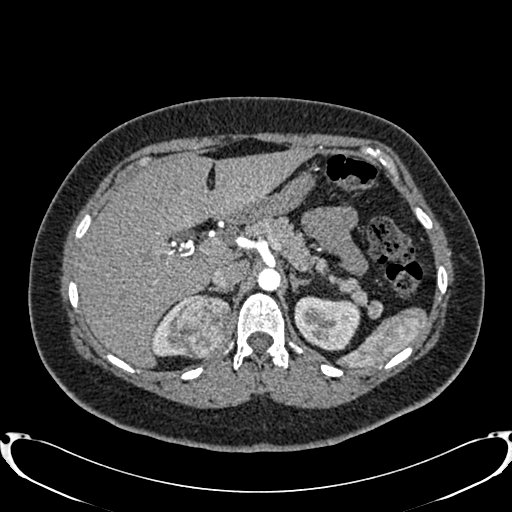
Axial slice 572 of 719 of a contrast-enhanced abdominal CT in the arterial phase (slice 1 is the lowest), 120 kVp, kernel B20f; 1.00 mm slice thickness and 0.766 mm pixels.
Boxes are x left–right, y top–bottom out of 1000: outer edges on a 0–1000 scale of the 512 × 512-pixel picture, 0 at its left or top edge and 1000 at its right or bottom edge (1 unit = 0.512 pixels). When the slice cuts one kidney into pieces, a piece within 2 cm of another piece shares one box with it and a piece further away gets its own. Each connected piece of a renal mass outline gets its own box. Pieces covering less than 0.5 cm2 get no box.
Two kidney boxes and one renal mass box on this slice; by box centre, from the image's left to its right: (1) Right kidney at x 293–365, y 582–697 out of 1000 (outlined area 648 px, about 3.8 cm2). (2) Right renal mass, box x 322–457, y 574–701 out of 1000 (outlined area 3,430 px, about 20.1 cm2). (3) Box x 574–705, y 578–688 out of 1000: left kidney (outlined area 2,860 px, about 16.8 cm2).